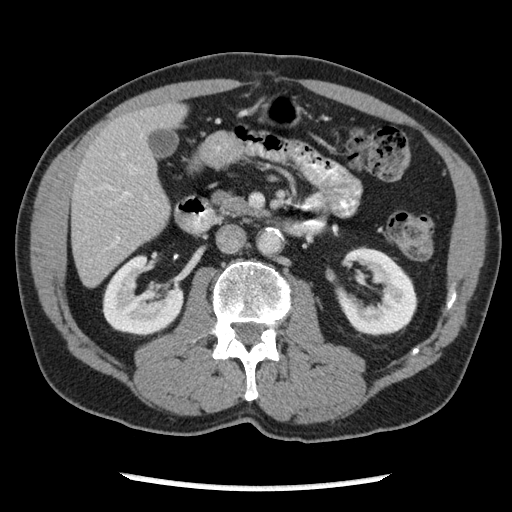
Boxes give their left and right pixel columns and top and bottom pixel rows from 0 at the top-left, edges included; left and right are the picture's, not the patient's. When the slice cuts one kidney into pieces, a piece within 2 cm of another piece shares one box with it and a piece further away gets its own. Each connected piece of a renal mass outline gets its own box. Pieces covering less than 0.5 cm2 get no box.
Arterial-phase contrast-enhanced abdominal CT, axial slice 118 of 262 (counted from the lowest slice); 2.50 mm thick, 0.703 mm per pixel. Two boxes on this slice (two kidney boxes), listed by box centre from the image's left to its right. (1) Right kidney in the box with left 102, top 254, right 183, bottom 335 (outlined area 4,414 px, about 21.8 cm2). (2) Left kidney in the box with left 334, top 247, right 417, bottom 335 (outlined area 4,957 px, about 24.5 cm2). This slice carries no renal mass outline.
Scan settings: 120 kVp, STANDARD reconstruction kernel.